Axial slice 35 of 97 of a contrast-enhanced abdominal CT in the arterial phase (slice 1 is the lowest), 100 kVp, kernel I40f; 3.00 mm slice thickness and 0.797 mm pixels.
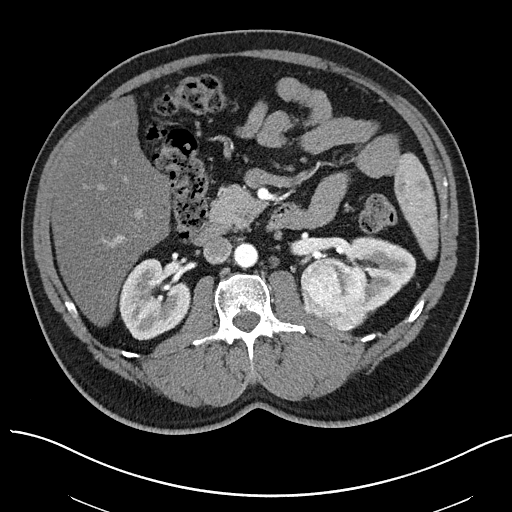
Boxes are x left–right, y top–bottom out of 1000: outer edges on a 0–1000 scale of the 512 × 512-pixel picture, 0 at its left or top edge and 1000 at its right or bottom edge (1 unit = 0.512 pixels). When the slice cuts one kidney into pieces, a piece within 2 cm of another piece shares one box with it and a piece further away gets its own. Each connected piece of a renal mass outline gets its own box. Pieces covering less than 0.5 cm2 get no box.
Two kidney boxes and one renal mass box on this slice; by box centre, from the image's left to its right: (1) Box x 232–375, y 504–666 out of 1000: right kidney (outlined area 4,269 px, about 27.1 cm2). (2) Left renal mass, box x 586–721, y 500–648 out of 1000 (outlined area 4,070 px, about 25.8 cm2). (3) Box x 652–814, y 461–613 out of 1000: left kidney (outlined area 3,284 px, about 20.9 cm2).